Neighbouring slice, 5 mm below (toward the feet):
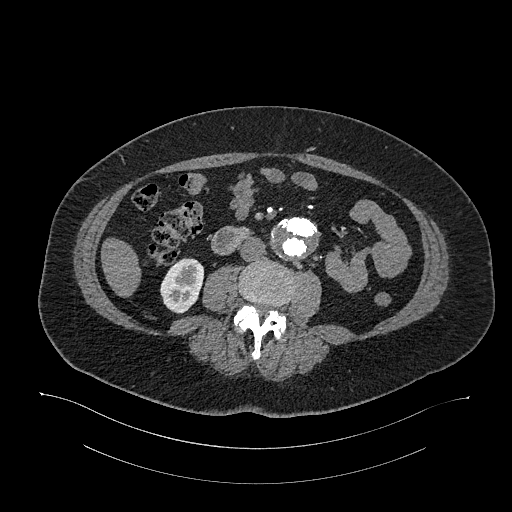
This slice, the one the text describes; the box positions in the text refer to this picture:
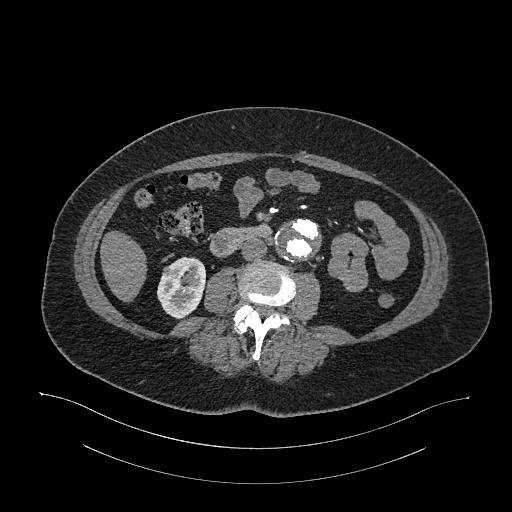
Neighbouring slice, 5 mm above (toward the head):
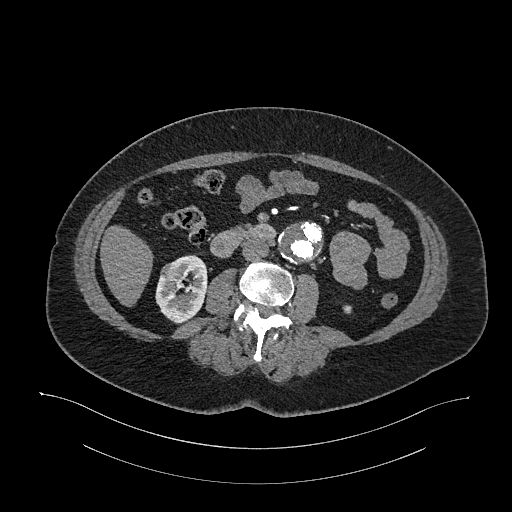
Abdominal CT with intravenous contrast, arterial phase, axial plane, 120 kVp, kernel I26f. Slice 565/987 from the bottom of the scan; thickness 1.00 mm; pixel size 0.977 mm.
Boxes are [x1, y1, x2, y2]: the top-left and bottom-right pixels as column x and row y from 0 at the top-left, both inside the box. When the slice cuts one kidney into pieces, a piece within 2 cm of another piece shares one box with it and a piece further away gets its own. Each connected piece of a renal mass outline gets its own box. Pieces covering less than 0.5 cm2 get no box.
Boxed on this slice (one kidney box and one renal mass box), listed by box centre from the image's left to its right: (1) Box [162, 266, 173, 275]: right renal mass (outlined area 86 px, about 0.8 cm2). (2) Box [156, 256, 205, 319]: right kidney (outlined area 2,234 px, about 21.3 cm2). This slice is near the end of the right renal mass toward the feet, so the slices 5 mm below and 5 mm above it are shown as well; the boxes refer to this slice only.